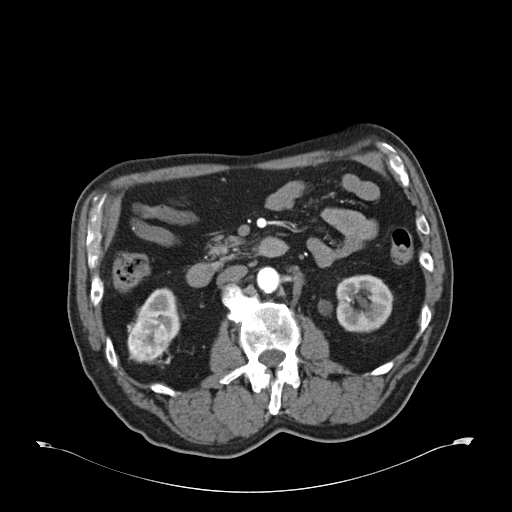
Arterial-phase contrast-enhanced abdominal CT, axial slice 29 of 59 (counted from the lowest slice); tube voltage 120 kVp, convolution kernel B30f; slices 5.00 mm thick, 0.871 mm per pixel.
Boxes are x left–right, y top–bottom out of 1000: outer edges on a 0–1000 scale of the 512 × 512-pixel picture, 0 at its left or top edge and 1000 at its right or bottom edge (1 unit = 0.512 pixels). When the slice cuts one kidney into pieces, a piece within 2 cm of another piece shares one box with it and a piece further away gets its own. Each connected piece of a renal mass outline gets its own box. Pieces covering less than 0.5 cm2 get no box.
Three boxes on this slice (two kidney boxes and one renal mass box), listed by box centre from the image's left to its right. (1) Right renal mass at x 248–330, y 621–709 out of 1000 (outlined area 1,442 px, about 10.9 cm2). (2) Box x 262–354, y 561–674 out of 1000: right kidney (outlined area 1,302 px, about 9.9 cm2). (3) Left kidney, box x 656–770, y 535–650 out of 1000 (outlined area 2,742 px, about 20.8 cm2).